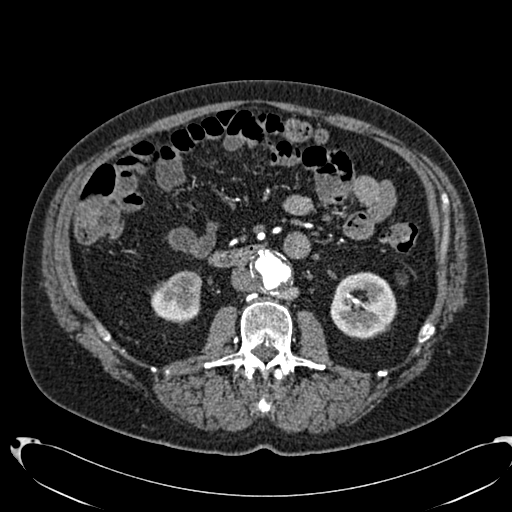
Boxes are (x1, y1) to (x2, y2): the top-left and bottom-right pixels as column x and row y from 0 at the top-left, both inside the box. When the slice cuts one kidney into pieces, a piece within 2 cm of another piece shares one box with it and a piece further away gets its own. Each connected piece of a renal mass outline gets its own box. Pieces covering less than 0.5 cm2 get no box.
This is axial slice 372 of 553 (slice 1 is the lowest) of an arterial-phase abdominal CT with contrast; each pixel is 0.773 mm and the slice is 1.00 mm thick. Two boxes on this slice (two kidney boxes), listed by box centre from the image's left to its right. (1) Right kidney, box (151, 270) to (201, 323) (outlined area 2,056 px, about 12.3 cm2). (2) Left kidney from (330, 272) to (397, 339) (outlined area 3,473 px, about 20.8 cm2).
Acquired at 120 kVp and reconstructed with the B20f kernel.